Arterial-phase contrast-enhanced abdominal CT, axial slice 240 of 683 (counted from the lowest slice); tube voltage 120 kVp, convolution kernel I30f; slices 1.00 mm thick, 0.738 mm per pixel.
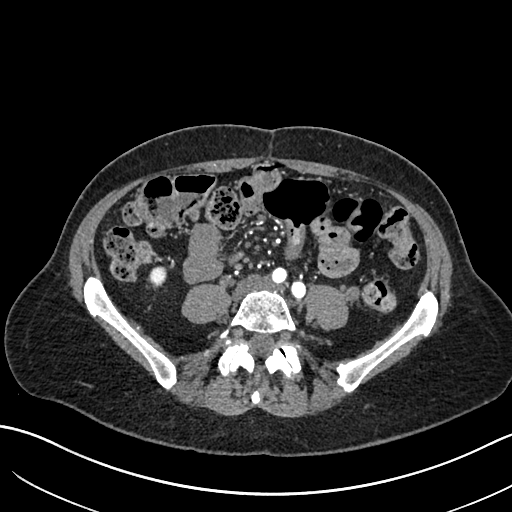
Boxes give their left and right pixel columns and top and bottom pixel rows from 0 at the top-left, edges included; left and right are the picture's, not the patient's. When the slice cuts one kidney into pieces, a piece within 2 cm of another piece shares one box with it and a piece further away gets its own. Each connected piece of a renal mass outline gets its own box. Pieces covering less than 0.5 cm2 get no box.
Right kidney, the box with left 149, top 266, right 166, bottom 287 (outlined area 311 px, about 1.7 cm2). No renal mass outline on this slice.